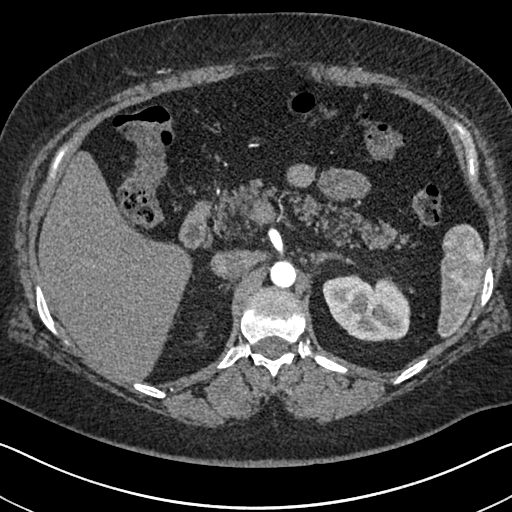
One axial slice (471 of 591, counting up from the lowest) of an arterial-phase abdominal CT acquired with 140 kVp, kernel I30f; each pixel is 0.703 mm and the slice is 1.00 mm thick.
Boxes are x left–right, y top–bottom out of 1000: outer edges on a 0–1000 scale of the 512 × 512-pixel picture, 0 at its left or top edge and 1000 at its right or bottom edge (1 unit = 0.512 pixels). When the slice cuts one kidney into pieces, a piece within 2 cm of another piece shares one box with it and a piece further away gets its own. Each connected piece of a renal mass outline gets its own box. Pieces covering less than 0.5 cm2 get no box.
Left kidney at x 629–803, y 535–668 out of 1000 (outlined area 4,563 px, about 22.6 cm2). No renal mass is outlined on this slice.